Arterial-phase contrast-enhanced abdominal CT, axial slice 414 of 634 (counted from the lowest slice); tube voltage 120 kVp, convolution kernel B20f; slices 1.00 mm thick, 0.838 mm per pixel.
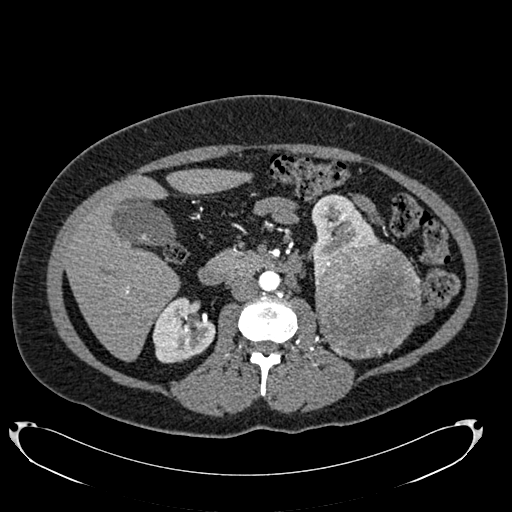
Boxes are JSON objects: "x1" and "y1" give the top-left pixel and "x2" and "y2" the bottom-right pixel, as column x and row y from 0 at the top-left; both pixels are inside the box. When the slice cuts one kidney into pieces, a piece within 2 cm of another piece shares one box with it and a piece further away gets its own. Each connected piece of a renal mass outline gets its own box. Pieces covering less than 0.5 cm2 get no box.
Boxed on this slice (two kidney boxes and one renal mass box), listed by box centre from the image's left to its right: (1) Box {"x1": 152, "y1": 297, "x2": 215, "y2": 363}: right kidney (outlined area 3,036 px, about 21.3 cm2). (2) Left kidney at {"x1": 311, "y1": 194, "x2": 379, "y2": 276} (outlined area 2,924 px, about 20.5 cm2). (3) Left renal mass, box {"x1": 315, "y1": 239, "x2": 421, "y2": 359} (outlined area 10,295 px, about 72.3 cm2).